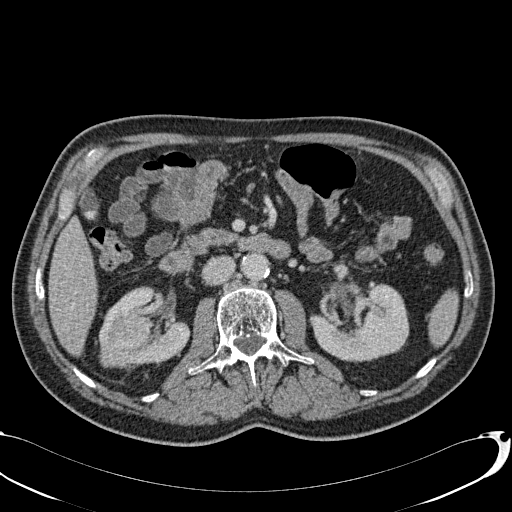
Axial slice 41 of 113 of a contrast-enhanced abdominal CT (slice 1 is the lowest), 120 kVp, kernel B31f; 2.00 mm slice thickness and 0.742 mm pixels.
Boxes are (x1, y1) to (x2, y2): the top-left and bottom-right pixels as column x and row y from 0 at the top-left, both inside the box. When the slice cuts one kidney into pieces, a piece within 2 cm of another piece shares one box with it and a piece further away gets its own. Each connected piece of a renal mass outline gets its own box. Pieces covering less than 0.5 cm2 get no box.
Two kidney boxes and one renal mass box on this slice; by box centre, from the image's left to its right: (1) Box (97, 306) to (154, 351): right renal mass (outlined area 1,854 px, about 10.2 cm2). (2) Box (98, 286) to (190, 368): right kidney (outlined area 3,659 px, about 20.2 cm2). (3) Left kidney, box (309, 283) to (409, 362) (outlined area 5,642 px, about 31.1 cm2).